Arterial-phase contrast-enhanced abdominal CT, axial slice 434 of 612 (counted from the lowest slice); tube voltage 120 kVp, convolution kernel I30f; slices 1.00 mm thick, 0.703 mm per pixel.
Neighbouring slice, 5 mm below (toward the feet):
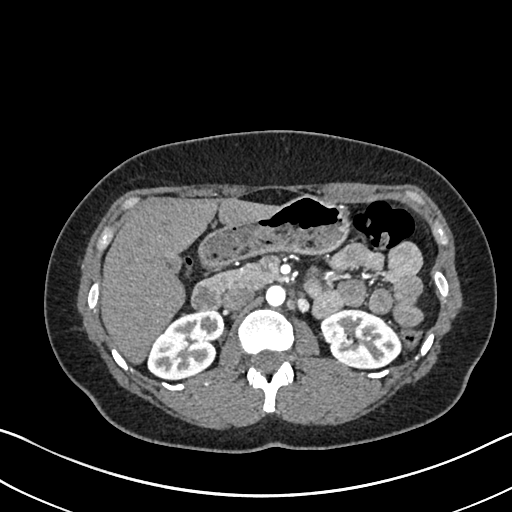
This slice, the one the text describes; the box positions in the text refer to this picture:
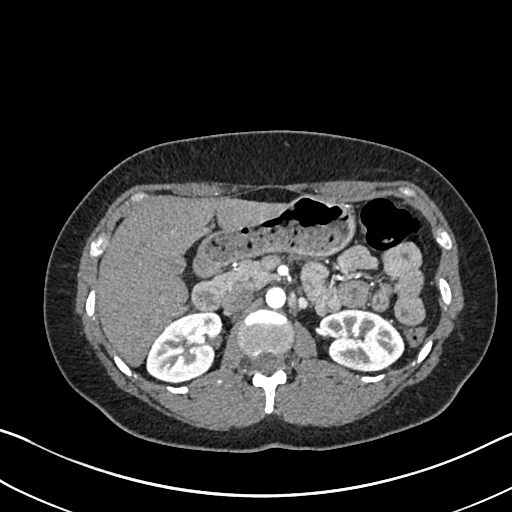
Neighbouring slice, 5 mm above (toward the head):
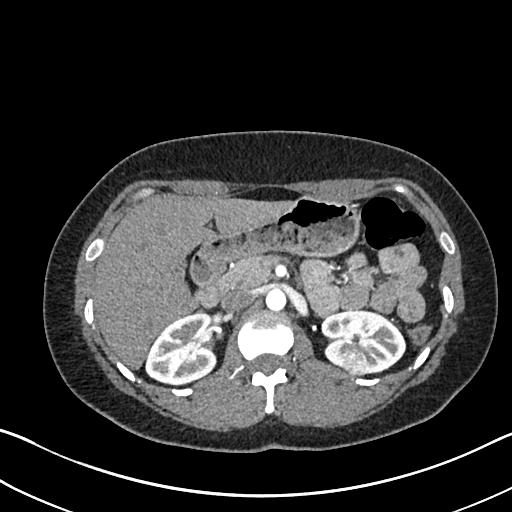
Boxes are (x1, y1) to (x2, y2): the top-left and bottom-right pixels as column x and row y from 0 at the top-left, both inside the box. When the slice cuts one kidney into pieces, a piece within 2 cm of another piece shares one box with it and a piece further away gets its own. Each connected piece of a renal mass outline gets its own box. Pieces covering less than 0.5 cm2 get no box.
Two kidney boxes and one renal mass box on this slice; by box centre, from the image's left to its right: (1) Right kidney, box (146, 311) to (223, 383) (outlined area 3,993 px, about 19.7 cm2). (2) Left renal mass, box (347, 353) to (364, 366) (outlined area 208 px, about 1.0 cm2). (3) Box (318, 308) to (404, 371): left kidney (outlined area 3,850 px, about 19.0 cm2). This slice lies near the end of the left renal mass toward the feet; the slices 5 mm below and 5 mm above it are shown too, and the boxes mark positions on this slice only.